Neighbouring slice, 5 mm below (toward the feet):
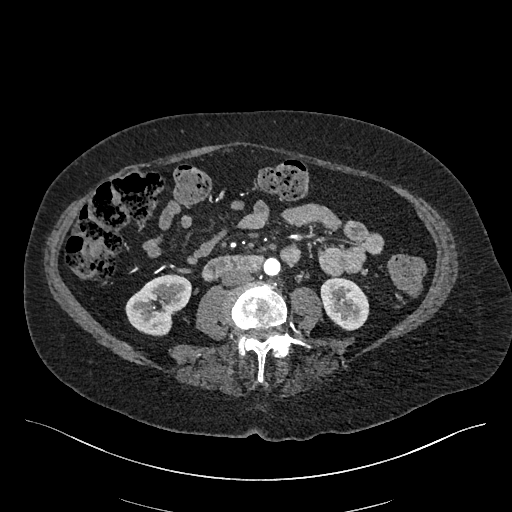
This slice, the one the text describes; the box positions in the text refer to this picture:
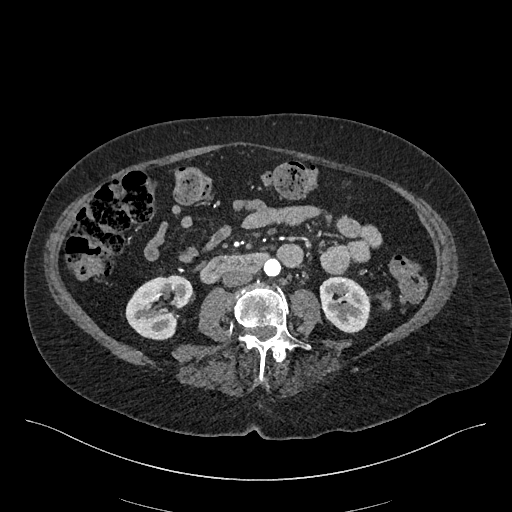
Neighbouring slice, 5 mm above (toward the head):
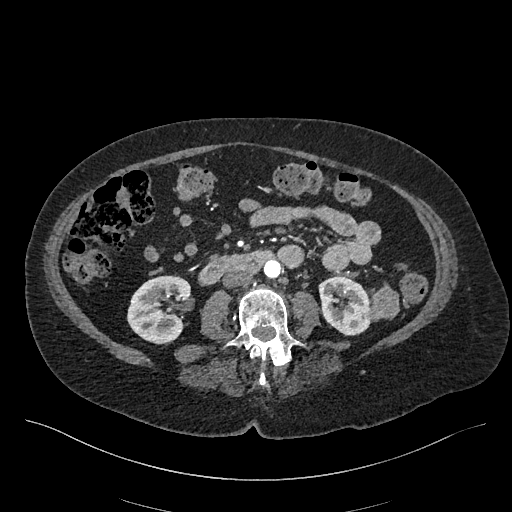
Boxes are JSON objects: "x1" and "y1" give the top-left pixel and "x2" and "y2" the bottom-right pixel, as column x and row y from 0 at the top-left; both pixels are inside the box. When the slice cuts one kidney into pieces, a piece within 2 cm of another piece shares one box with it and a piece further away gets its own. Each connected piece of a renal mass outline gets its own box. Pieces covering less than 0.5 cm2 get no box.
Slice 193/548 of a contrast-enhanced abdominal CT in the arterial phase, counting up from the lowest; pixel size 0.852 mm, slice thickness 1.00 mm. Boxed on this slice (two kidney boxes and one renal mass box), listed by box centre from the image's left to its right: (1) Right kidney, box {"x1": 125, "y1": 274, "x2": 192, "y2": 340} (outlined area 3,062 px, about 22.2 cm2). (2) Left kidney, box {"x1": 319, "y1": 276, "x2": 370, "y2": 333} (outlined area 2,265 px, about 16.4 cm2). (3) Box {"x1": 378, "y1": 292, "x2": 391, "y2": 309}: left renal mass (outlined area 135 px, about 1.0 cm2). This slice lies near the end of the left renal mass toward the feet; the slices 5 mm below and 5 mm above it are shown too, and the boxes mark positions on this slice only.
Tube voltage 120 kVp; convolution kernel I26f.